Abdominal CT with intravenous contrast, arterial phase, axial plane, 120 kVp, kernel B31f. Slice 189/279 from the bottom of the scan; thickness 2.00 mm; pixel size 0.824 mm.
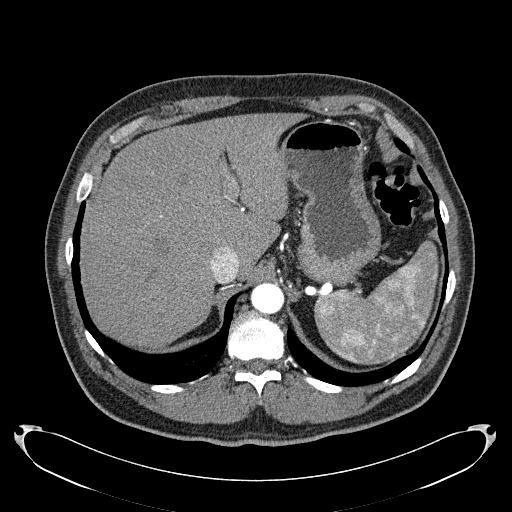
Neither a kidney nor a renal mass is outlined here. Only kidneys and renal masses are outlined anywhere in this scan; other structures are never outlined.